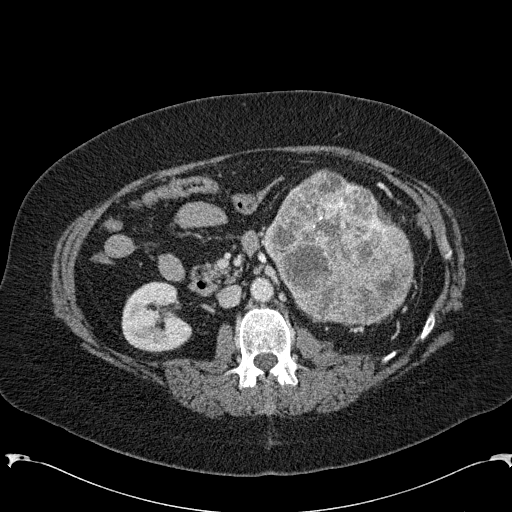
Abdominal CT with intravenous contrast, arterial phase, axial plane, 120 kVp, kernel B31f. Slice 122/285 from the bottom of the scan; thickness 2.00 mm; pixel size 0.762 mm.
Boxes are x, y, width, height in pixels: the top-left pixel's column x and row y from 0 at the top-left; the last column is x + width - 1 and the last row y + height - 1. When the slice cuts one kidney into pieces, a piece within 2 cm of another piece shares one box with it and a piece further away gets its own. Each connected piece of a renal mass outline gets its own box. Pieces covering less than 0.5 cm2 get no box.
Boxed on this slice (one kidney box and one renal mass box), listed by box centre from the image's left to its right: (1) Box x 121, y 281, width 72, height 72: right kidney (outlined area 3,790 px, about 22.0 cm2). (2) Left renal mass at x 262, y 168, width 153, height 159 (outlined area 16,869 px, about 97.9 cm2); on this slice it lies more than 1 cm from any kidney outline, but the same outlined renal mass comes within 1 cm of the kidney on another slice.